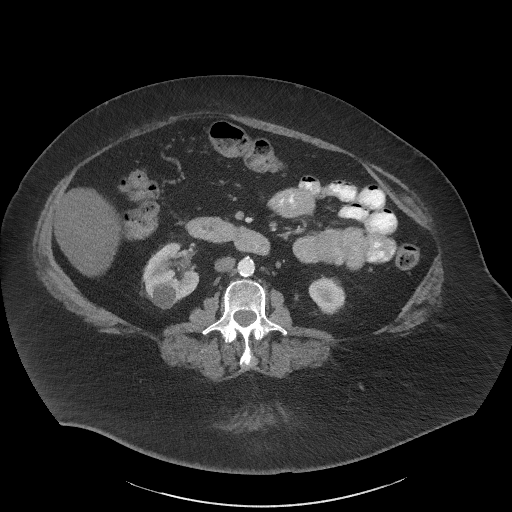
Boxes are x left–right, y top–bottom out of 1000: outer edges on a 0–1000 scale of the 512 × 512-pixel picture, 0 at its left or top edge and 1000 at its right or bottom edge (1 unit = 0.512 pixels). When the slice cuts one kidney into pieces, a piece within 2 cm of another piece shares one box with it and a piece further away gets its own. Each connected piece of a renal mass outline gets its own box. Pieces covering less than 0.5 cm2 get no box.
Arterial-phase contrast-enhanced abdominal CT, axial slice 23 of 61 (counted from the lowest slice); 3.00 mm thick, 0.947 mm per pixel. Boxed on this slice (two kidney boxes), listed by box centre from the image's left to its right: (1) Right kidney at x 275–391, y 473–605 out of 1000 (outlined area 2,719 px, about 24.4 cm2). (2) Left kidney, box x 602–676, y 539–615 out of 1000 (outlined area 1,077 px, about 9.7 cm2). This slice carries no renal mass outline.
Scan settings: 140 kVp, I41f reconstruction kernel.